One axial slice (456 of 719, counting up from the lowest) of an arterial-phase abdominal CT acquired with 120 kVp, kernel B20f; each pixel is 0.766 mm and the slice is 1.00 mm thick.
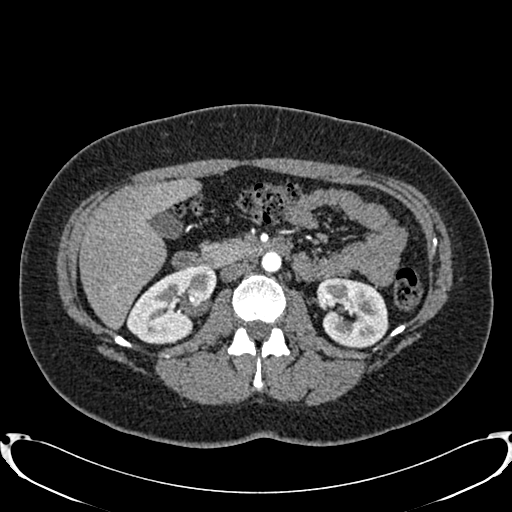
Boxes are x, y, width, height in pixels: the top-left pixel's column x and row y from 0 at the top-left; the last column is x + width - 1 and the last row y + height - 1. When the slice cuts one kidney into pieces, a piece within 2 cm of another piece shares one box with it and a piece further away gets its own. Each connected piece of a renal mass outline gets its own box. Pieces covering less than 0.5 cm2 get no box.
Two boxes on this slice (two kidney boxes), listed by box centre from the image's left to its right. (1) Box x 126, y 265, width 91, height 80: right kidney (outlined area 4,716 px, about 27.6 cm2). (2) Box x 316, y 277, width 73, height 72: left kidney (outlined area 3,978 px, about 23.3 cm2). This slice carries no renal mass outline.